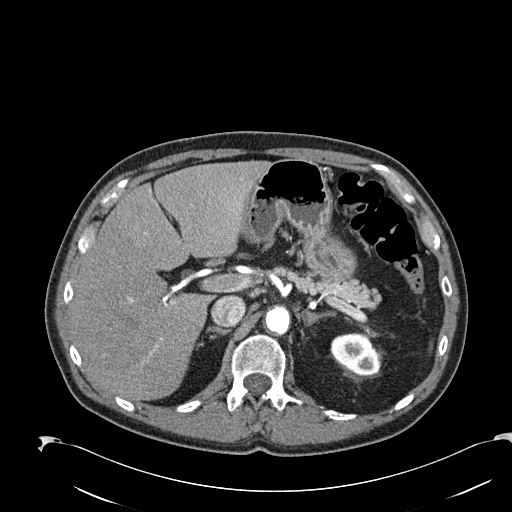
Abdominal CT with intravenous contrast, arterial phase, axial plane, 120 kVp, kernel B30f. Slice 164/274 from the bottom of the scan; thickness 2.00 mm; pixel size 0.809 mm.
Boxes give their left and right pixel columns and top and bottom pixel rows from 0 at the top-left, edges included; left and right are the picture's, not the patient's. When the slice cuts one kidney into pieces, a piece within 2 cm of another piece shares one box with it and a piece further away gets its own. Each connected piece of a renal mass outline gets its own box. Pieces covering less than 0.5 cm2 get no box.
Box with left 331, top 333, right 380, bottom 375: left kidney (outlined area 1,542 px, about 10.1 cm2). This slice carries no renal mass outline.